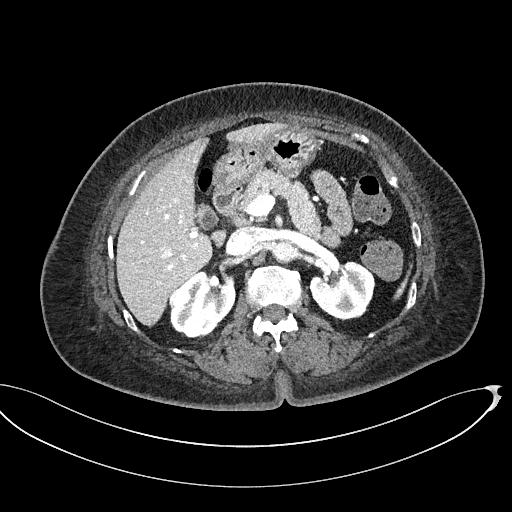
Abdominal CT with intravenous contrast, axial plane, 100 kVp, kernel I40f. Slice 320/439 from the bottom of the scan; thickness 2.00 mm; pixel size 0.850 mm.
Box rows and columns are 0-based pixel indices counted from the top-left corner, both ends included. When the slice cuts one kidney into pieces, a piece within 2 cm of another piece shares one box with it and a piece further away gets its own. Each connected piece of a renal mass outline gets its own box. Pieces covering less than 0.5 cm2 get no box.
Boxed on this slice (two kidney boxes and one renal mass box), listed by box centre from the image's left to its right: (1) Box rows 285–309, columns 169–189: right renal mass (outlined area 371 px, about 2.7 cm2). (2) Right kidney, box rows 271–338, columns 170–235 (outlined area 2,952 px, about 21.3 cm2). (3) Box rows 260–320, columns 310–375: left kidney (outlined area 2,890 px, about 20.9 cm2).